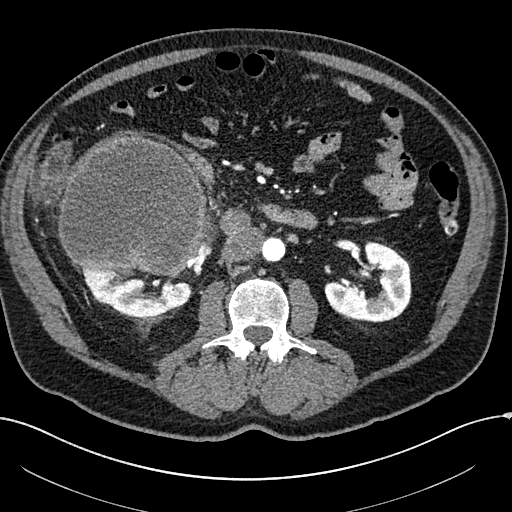
Arterial-phase contrast-enhanced abdominal CT, axial slice 103 of 304 (counted from the lowest slice); tube voltage 100 kVp, convolution kernel I30f; slices 2.00 mm thick, 0.809 mm per pixel.
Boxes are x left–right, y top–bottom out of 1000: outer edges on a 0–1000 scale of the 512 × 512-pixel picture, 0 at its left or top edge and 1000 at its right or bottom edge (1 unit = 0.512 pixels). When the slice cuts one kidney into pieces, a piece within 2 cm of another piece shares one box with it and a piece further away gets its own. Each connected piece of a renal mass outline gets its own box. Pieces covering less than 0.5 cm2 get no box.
Three boxes on this slice (two kidney boxes and one renal mass box), listed by box centre from the image's left to its right. (1) Box x 113–406, y 264–539 out of 1000: right renal mass (outlined area 16,657 px, about 108.9 cm2). (2) Right kidney at x 150–375, y 518–623 out of 1000 (outlined area 3,754 px, about 24.5 cm2). (3) Box x 633–805, y 471–631 out of 1000: left kidney (outlined area 4,627 px, about 30.3 cm2).